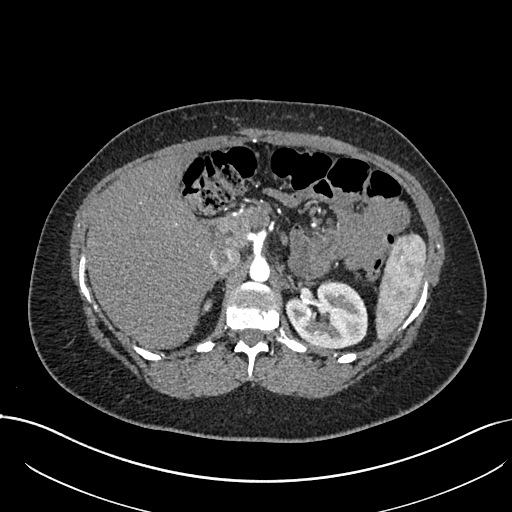
Abdominal CT with intravenous contrast, arterial phase, axial plane, 120 kVp, kernel I30f. Slice 498/738 from the bottom of the scan; thickness 1.00 mm; pixel size 0.789 mm.
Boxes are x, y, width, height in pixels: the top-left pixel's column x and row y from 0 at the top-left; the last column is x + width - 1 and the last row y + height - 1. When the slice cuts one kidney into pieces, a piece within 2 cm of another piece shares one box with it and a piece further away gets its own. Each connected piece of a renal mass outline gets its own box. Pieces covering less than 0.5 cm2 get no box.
Left kidney at x 285, y 279, width 83, height 69 (outlined area 4,261 px, about 26.5 cm2). No renal mass outline on this slice.